One axial slice (93 of 117, counting up from the lowest) of an arterial-phase abdominal CT acquired with 120 kVp, kernel FC12; each pixel is 0.518 mm and the slice is 3.00 mm thick.
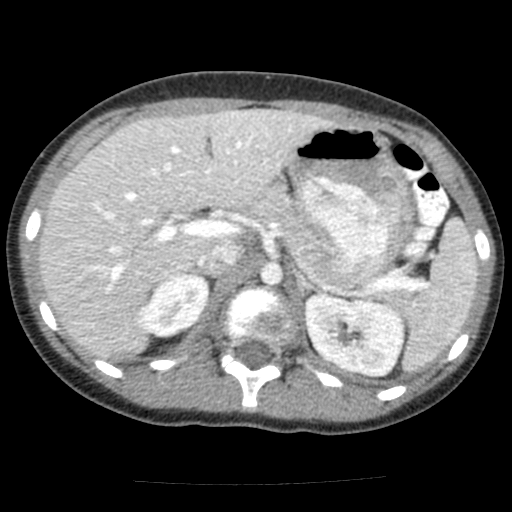
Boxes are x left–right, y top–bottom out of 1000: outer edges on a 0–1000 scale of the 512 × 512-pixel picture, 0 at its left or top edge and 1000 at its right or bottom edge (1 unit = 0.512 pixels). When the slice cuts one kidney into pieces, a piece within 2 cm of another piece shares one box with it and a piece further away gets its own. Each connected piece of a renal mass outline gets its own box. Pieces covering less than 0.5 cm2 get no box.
Two boxes on this slice (two kidney boxes), listed by box centre from the image's left to its right. (1) Right kidney at x 266–410, y 533–660 out of 1000 (outlined area 3,233 px, about 8.7 cm2). (2) Box x 592–791, y 570–738 out of 1000: left kidney (outlined area 6,545 px, about 17.6 cm2). This slice carries no renal mass outline.